Arterial-phase contrast-enhanced abdominal CT, axial slice 374 of 532 (counted from the lowest slice); tube voltage 120 kVp, convolution kernel B30f; slices 1.00 mm thick, 0.713 mm per pixel.
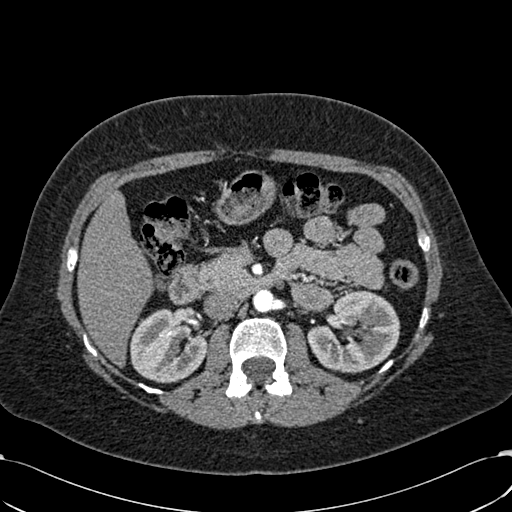
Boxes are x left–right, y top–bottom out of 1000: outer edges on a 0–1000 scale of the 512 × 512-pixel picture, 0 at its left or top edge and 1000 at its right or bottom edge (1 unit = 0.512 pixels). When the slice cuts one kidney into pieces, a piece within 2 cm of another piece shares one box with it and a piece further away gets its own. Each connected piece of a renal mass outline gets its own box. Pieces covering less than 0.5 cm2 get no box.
Boxed on this slice (two kidney boxes), listed by box centre from the image's left to its right: (1) Box x 254–404, y 602–750 out of 1000: right kidney (outlined area 4,233 px, about 21.5 cm2). (2) Box x 600–783, y 566–730 out of 1000: left kidney (outlined area 5,472 px, about 27.8 cm2). No renal mass is outlined on this slice.